Axial slice 359 of 735 of a contrast-enhanced abdominal CT in the arterial phase (slice 1 is the lowest), 120 kVp, kernel I30f; 1.00 mm slice thickness and 0.789 mm pixels.
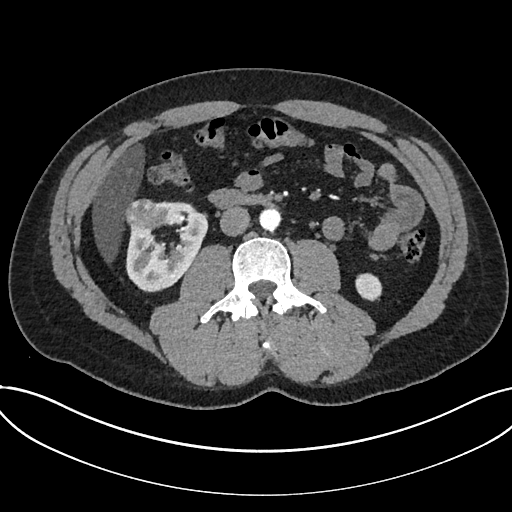
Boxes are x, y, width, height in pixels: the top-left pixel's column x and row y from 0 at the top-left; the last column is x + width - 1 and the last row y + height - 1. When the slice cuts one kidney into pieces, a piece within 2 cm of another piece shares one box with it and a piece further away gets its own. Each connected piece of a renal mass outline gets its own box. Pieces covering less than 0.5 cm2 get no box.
Boxed on this slice (two kidney boxes and one renal mass box), listed by box centre from the image's left to its right: (1) Renal mass, box x 123, y 199, width 39, height 33 (outlined area 1,003 px, about 6.2 cm2). (2) Box x 126, y 201, width 82, height 92: kidney (outlined area 4,645 px, about 28.9 cm2). (3) Kidney, box x 355, y 273, width 28, height 29 (outlined area 615 px, about 3.8 cm2).